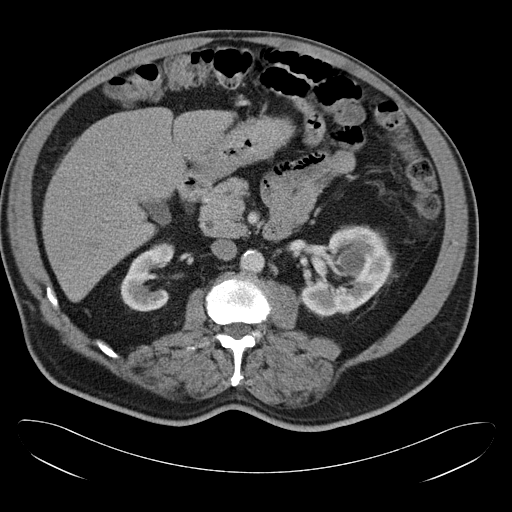
Arterial-phase contrast-enhanced abdominal CT, axial slice 19 of 34 (counted from the lowest slice); tube voltage 120 kVp, convolution kernel B30f; slices 5.00 mm thick, 0.830 mm per pixel.
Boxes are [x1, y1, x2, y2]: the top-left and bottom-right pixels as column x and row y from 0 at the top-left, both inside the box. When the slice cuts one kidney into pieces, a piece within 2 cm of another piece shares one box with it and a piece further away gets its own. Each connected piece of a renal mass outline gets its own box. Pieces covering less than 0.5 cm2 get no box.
Two boxes on this slice (two kidney boxes), listed by box centre from the image's left to its right. (1) Right kidney, box [120, 243, 174, 311] (outlined area 2,332 px, about 16.1 cm2). (2) Left kidney at [300, 225, 393, 316] (outlined area 5,689 px, about 39.2 cm2). No renal mass outline on this slice.